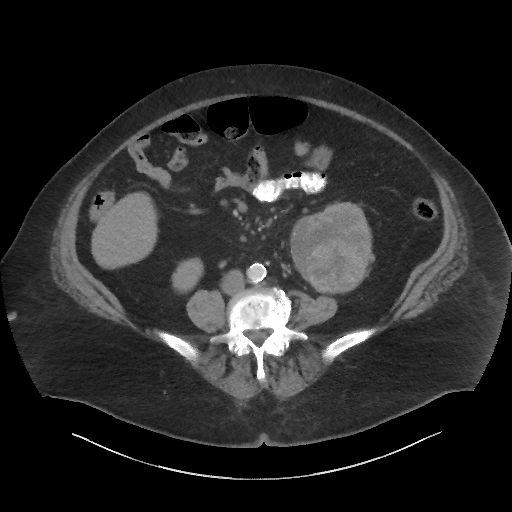
One axial slice (17 of 86, counting up from the lowest) of a contrast-enhanced abdominal CT acquired with 140 kVp, kernel I44f; each pixel is 0.977 mm and the slice is 3.00 mm thick.
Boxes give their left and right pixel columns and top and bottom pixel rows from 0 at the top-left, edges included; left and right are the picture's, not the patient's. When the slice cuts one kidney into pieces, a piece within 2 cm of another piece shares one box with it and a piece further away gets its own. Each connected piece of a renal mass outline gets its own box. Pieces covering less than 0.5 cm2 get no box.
Two kidney boxes and one renal mass box on this slice; by box centre, from the image's left to its right: (1) Right kidney, the box with left 171, top 257, right 203, bottom 293 (outlined area 836 px, about 8.0 cm2). (2) Box with left 290, top 212, right 345, bottom 281: left renal mass (outlined area 3,077 px, about 29.3 cm2). (3) Left kidney, the box with left 308, top 201, right 374, bottom 293 (outlined area 2,972 px, about 28.3 cm2).